Axial slice 400 of 553 of a contrast-enhanced abdominal CT in the arterial phase (slice 1 is the lowest), 120 kVp, kernel B20f; 1.00 mm slice thickness and 0.773 mm pixels.
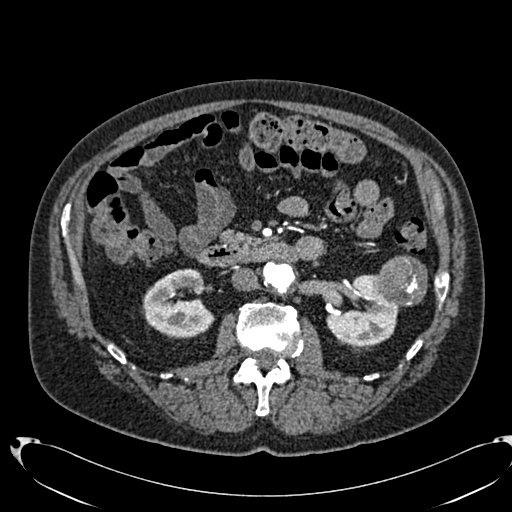
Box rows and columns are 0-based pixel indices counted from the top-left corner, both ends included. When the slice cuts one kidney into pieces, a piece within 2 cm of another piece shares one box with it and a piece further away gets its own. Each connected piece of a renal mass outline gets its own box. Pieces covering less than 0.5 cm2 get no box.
Boxed on this slice (two kidney boxes and one renal mass box), listed by box centre from the image's left to its right: (1) Right kidney at rows 268–338, columns 143–215 (outlined area 3,593 px, about 21.5 cm2). (2) Left kidney at rows 274–346, columns 326–398 (outlined area 3,308 px, about 19.8 cm2). (3) Left renal mass at rows 255–307, columns 372–427 (outlined area 2,220 px, about 13.3 cm2).